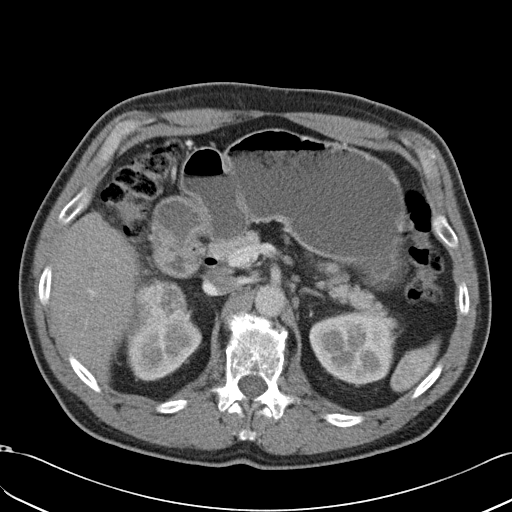
One axial slice (26 of 49, counting up from the lowest) of an arterial-phase abdominal CT acquired with 120 kVp, kernel B31f; each pixel is 0.691 mm and the slice is 5.00 mm thick.
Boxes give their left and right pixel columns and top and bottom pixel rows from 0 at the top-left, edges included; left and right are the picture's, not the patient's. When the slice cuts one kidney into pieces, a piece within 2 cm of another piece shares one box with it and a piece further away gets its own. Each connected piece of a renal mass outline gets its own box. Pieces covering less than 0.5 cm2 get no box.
Three boxes on this slice (two kidney boxes and one renal mass box), listed by box centre from the image's left to its right. (1) Box with left 134, top 279, right 188, bottom 334: right renal mass (outlined area 2,400 px, about 11.5 cm2). (2) Right kidney in the box with left 126, top 315, right 202, bottom 381 (outlined area 3,059 px, about 14.6 cm2). (3) Left kidney in the box with left 309, top 310, right 393, bottom 387 (outlined area 5,018 px, about 24.0 cm2).